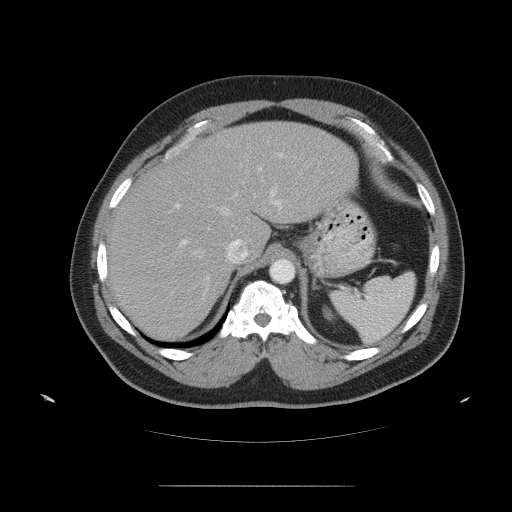
One axial slice (83 of 99, counting up from the lowest) of a contrast-enhanced abdominal CT acquired with 120 kVp, kernel STANDARD; each pixel is 0.938 mm and the slice is 5.00 mm thick.
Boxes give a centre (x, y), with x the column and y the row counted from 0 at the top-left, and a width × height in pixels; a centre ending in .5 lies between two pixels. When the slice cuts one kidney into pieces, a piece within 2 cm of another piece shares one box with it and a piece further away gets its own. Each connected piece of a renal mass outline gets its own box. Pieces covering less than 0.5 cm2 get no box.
Box centre (329, 313.5), 15 × 16 pixels: left kidney (outlined area 142 px, about 1.2 cm2). No renal mass outline on this slice.